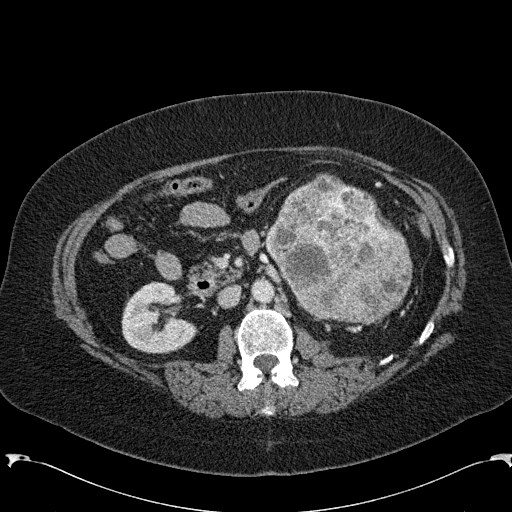
One axial slice (125 of 285, counting up from the lowest) of an arterial-phase abdominal CT acquired with 120 kVp, kernel B31f; each pixel is 0.762 mm and the slice is 2.00 mm thick.
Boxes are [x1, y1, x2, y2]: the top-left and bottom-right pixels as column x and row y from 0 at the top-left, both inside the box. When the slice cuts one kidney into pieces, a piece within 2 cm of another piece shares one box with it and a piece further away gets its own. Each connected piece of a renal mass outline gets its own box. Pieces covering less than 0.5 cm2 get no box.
Boxed on this slice (one kidney box and one renal mass box), listed by box centre from the image's left to its right: (1) Box [121, 281, 197, 353]: right kidney (outlined area 3,965 px, about 23.0 cm2). (2) Left renal mass at [264, 173, 412, 324] (outlined area 15,786 px, about 91.6 cm2); here it is more than 1 cm from any kidney outline, though on another slice the same outlined renal mass lies within 1 cm of the kidney.